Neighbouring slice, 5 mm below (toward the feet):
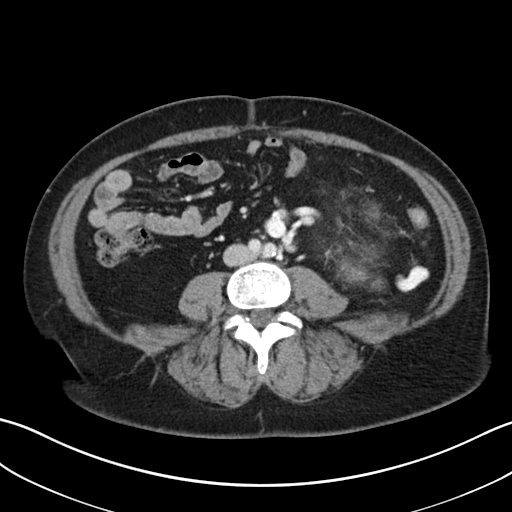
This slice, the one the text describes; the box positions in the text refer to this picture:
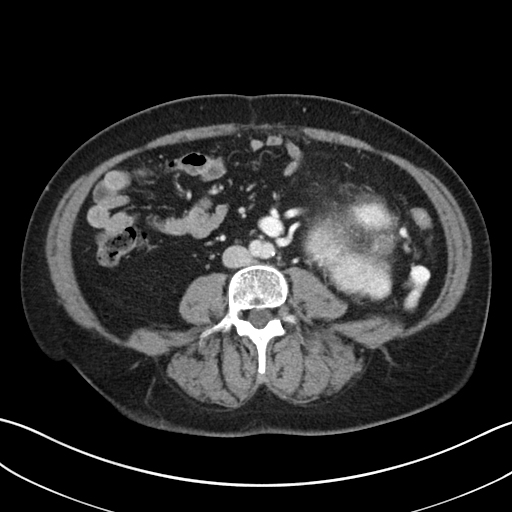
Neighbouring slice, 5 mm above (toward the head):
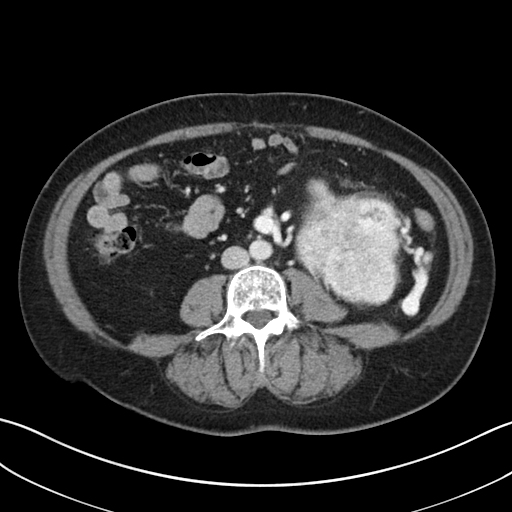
Contrast-enhanced abdominal CT, axial slice 4 of 38 (counted from the lowest slice); tube voltage 100 kVp, convolution kernel I30f; slices 5.00 mm thick, 0.730 mm per pixel.
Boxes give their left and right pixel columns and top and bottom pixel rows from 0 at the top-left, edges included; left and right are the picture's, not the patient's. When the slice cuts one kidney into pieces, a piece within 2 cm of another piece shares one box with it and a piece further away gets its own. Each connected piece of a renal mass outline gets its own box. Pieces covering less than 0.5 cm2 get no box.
Box with left 302, top 193, right 395, bottom 298: left renal mass (outlined area 7,024 px, about 37.5 cm2); no kidney is outlined on this slice, but the same outlined renal mass comes within 1 cm of the kidney on another slice. This slice is near the end of the left renal mass toward the feet, so the slices 5 mm below and 5 mm above it are shown as well; the boxes refer to this slice only.